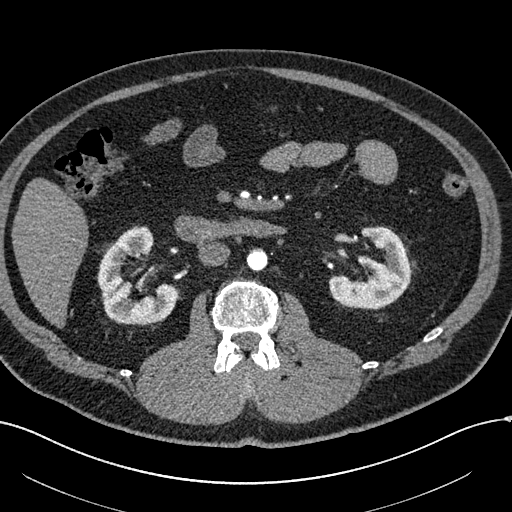
One axial slice (320 of 602, counting up from the lowest) of an arterial-phase abdominal CT acquired with 120 kVp, kernel I30f; each pixel is 0.799 mm and the slice is 1.00 mm thick.
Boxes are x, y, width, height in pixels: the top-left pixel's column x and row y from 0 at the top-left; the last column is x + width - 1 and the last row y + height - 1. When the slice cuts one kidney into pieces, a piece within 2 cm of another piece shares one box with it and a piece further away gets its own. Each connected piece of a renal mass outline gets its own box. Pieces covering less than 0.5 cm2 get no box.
Two boxes on this slice (two kidney boxes), listed by box centre from the image's left to its right. (1) Right kidney, box x 97, y 226, width 81, height 100 (outlined area 4,891 px, about 31.2 cm2). (2) Left kidney at x 328, y 226, width 83, height 84 (outlined area 4,076 px, about 26.0 cm2).